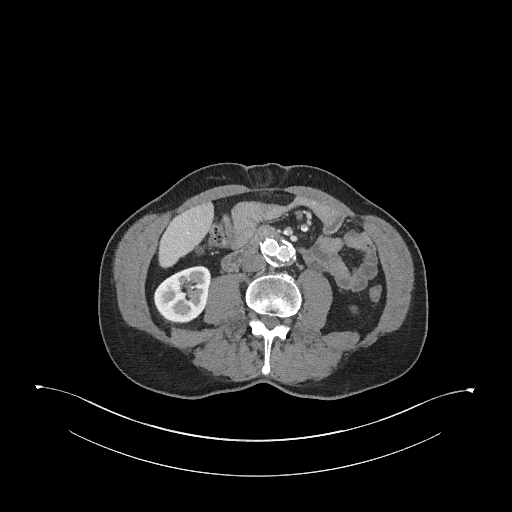
One axial slice (132 of 345, counting up from the lowest) of an arterial-phase abdominal CT acquired with 120 kVp, kernel I31f; each pixel is 0.977 mm and the slice is 2.00 mm thick.
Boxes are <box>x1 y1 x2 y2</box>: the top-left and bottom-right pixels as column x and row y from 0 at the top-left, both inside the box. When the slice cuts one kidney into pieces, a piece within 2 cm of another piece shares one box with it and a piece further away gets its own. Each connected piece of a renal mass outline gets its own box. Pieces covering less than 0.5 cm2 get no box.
Right kidney at <box>153 265 211 322</box> (outlined area 2,486 px, about 23.7 cm2). No renal mass is outlined on this slice.